One axial slice (349 of 734, counting up from the lowest) of a contrast-enhanced abdominal CT acquired with 120 kVp, kernel B31f; each pixel is 0.971 mm and the slice is 2.00 mm thick.
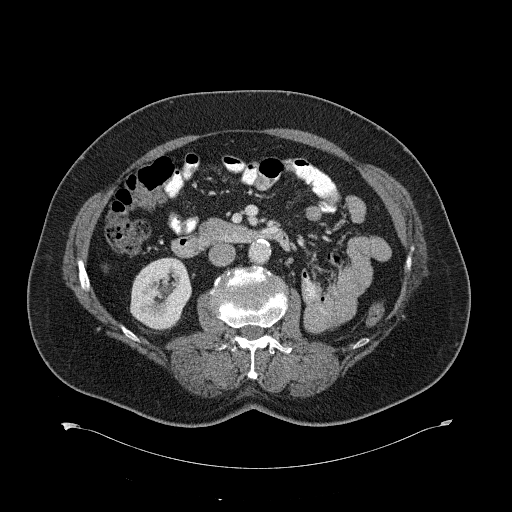
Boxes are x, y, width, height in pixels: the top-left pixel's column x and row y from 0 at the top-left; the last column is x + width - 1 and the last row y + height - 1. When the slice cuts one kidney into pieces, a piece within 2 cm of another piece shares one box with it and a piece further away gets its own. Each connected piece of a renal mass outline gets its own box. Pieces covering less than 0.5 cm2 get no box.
Box x 130, y 257, width 62, height 73: right kidney (outlined area 3,467 px, about 32.7 cm2). This slice carries no renal mass outline.